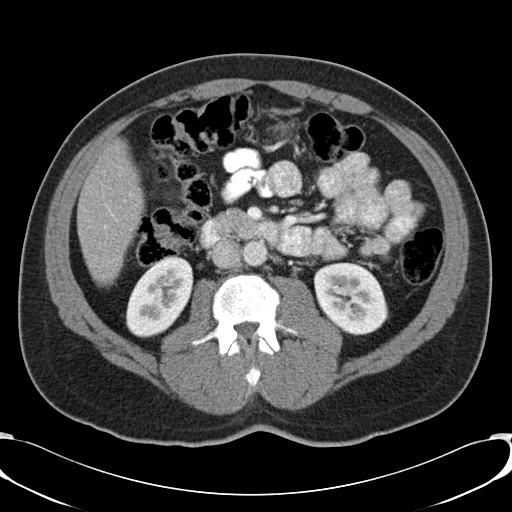
Abdominal CT with intravenous contrast, axial plane, 120 kVp, kernel B30f. Slice 16/48 from the bottom of the scan; thickness 5.00 mm; pixel size 0.736 mm.
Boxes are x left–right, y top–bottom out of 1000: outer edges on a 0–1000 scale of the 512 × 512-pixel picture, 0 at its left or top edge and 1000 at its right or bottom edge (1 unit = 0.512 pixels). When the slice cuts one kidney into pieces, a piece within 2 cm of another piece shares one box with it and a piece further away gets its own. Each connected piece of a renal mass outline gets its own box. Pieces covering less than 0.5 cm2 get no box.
Two boxes on this slice (two kidney boxes), listed by box centre from the image's left to its right. (1) Right kidney, box x 244–379, y 500–660 out of 1000 (outlined area 3,943 px, about 21.4 cm2). (2) Left kidney at x 611–760, y 512–656 out of 1000 (outlined area 4,151 px, about 22.5 cm2). This slice carries no renal mass outline.